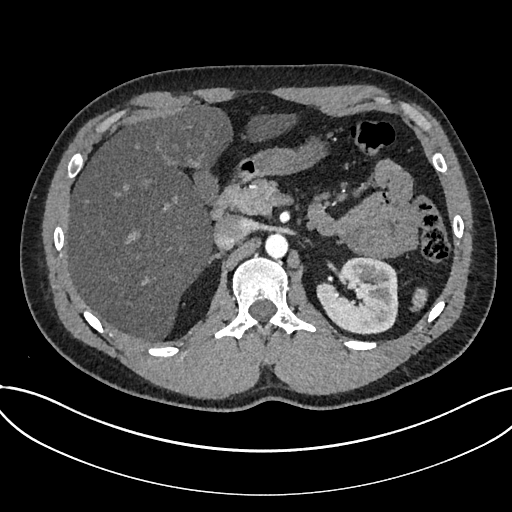
Axial slice 489 of 735 of a contrast-enhanced abdominal CT in the arterial phase (slice 1 is the lowest), 120 kVp, kernel I30f; 1.00 mm slice thickness and 0.789 mm pixels.
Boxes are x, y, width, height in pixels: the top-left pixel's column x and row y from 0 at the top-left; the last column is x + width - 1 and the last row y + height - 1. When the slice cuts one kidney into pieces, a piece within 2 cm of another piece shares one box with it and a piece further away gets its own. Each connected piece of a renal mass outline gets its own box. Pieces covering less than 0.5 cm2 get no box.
Box x 316, y 257, width 83, height 78: kidney (outlined area 4,832 px, about 30.1 cm2). No renal mass is outlined on this slice.